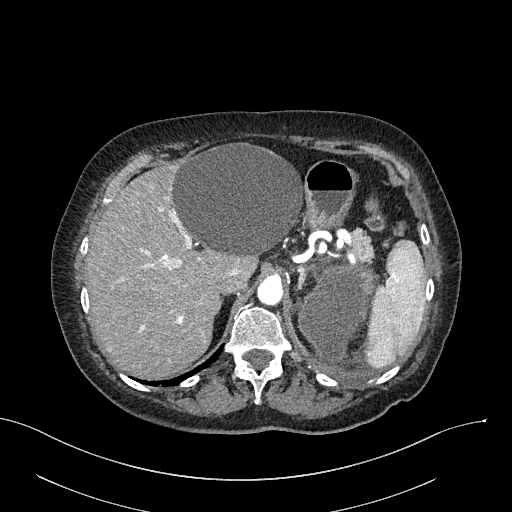
Arterial-phase contrast-enhanced abdominal CT, axial slice 208 of 316 (counted from the lowest slice); tube voltage 100 kVp, convolution kernel I40f; slices 2.00 mm thick, 0.840 mm per pixel.
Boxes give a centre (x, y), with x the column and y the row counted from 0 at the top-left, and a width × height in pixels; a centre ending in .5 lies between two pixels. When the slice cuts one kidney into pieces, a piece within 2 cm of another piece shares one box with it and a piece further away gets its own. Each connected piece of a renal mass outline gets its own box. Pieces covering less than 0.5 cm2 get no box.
Left renal mass, box centre (335.5, 312.5), 82 × 102 pixels (outlined area 5,480 px, about 38.7 cm2); this slice has no kidney outline, though on another slice the same outlined renal mass lies within 1 cm of the kidney.